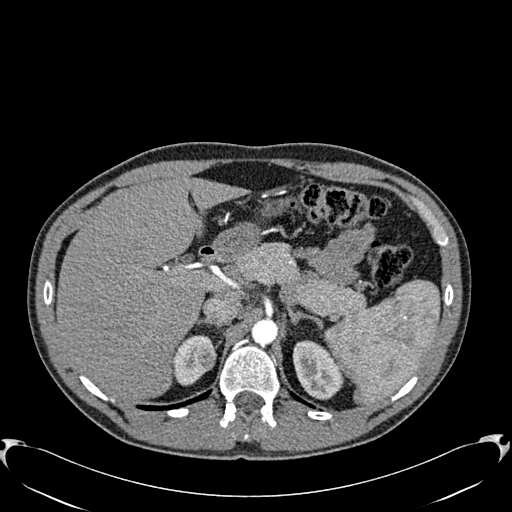
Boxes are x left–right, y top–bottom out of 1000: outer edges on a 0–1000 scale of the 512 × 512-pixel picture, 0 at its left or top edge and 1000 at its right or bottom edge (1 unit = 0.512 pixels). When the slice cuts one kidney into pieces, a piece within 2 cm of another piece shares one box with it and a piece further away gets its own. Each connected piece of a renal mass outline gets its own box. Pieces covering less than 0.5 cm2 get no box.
Slice 438/512 of a contrast-enhanced abdominal CT in the arterial phase, counting up from the lowest; pixel size 0.771 mm, slice thickness 1.00 mm. Three boxes on this slice (two kidney boxes and one renal mass box), listed by box centre from the image's left to its right. (1) Box x 336–424, y 654–754 out of 1000: right kidney (outlined area 1,359 px, about 8.1 cm2). (2) Box x 387–424, y 686–723 out of 1000: right renal mass (outlined area 244 px, about 1.5 cm2). (3) Left kidney, box x 570–674, y 664–781 out of 1000 (outlined area 2,175 px, about 12.9 cm2).
Acquired at 120 kVp and reconstructed with the B30f kernel.